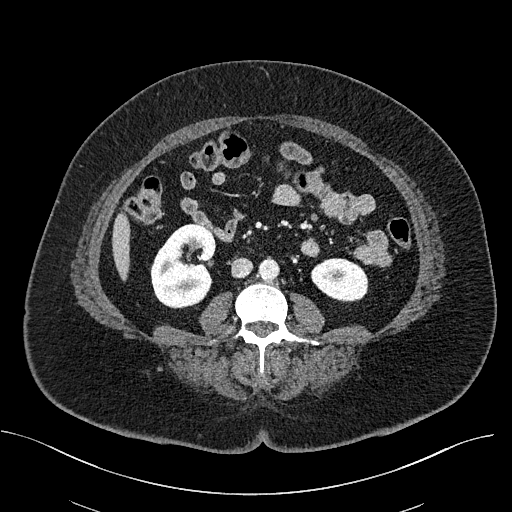
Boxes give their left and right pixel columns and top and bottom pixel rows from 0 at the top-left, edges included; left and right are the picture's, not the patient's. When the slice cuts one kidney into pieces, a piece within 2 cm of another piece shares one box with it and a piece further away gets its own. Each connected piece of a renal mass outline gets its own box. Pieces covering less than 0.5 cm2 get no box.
Slice 264/470 of a contrast-enhanced abdominal CT, counting up from the lowest; pixel size 0.824 mm, slice thickness 2.00 mm. Boxed on this slice (two kidney boxes), listed by box centre from the image's left to its right: (1) Right kidney in the box with left 150, top 223, right 216, bottom 308 (outlined area 4,199 px, about 28.5 cm2). (2) Left kidney in the box with left 311, top 258, right 368, bottom 301 (outlined area 1,951 px, about 13.3 cm2). No renal mass outline on this slice.
Tube voltage 100 kVp; convolution kernel I40f.